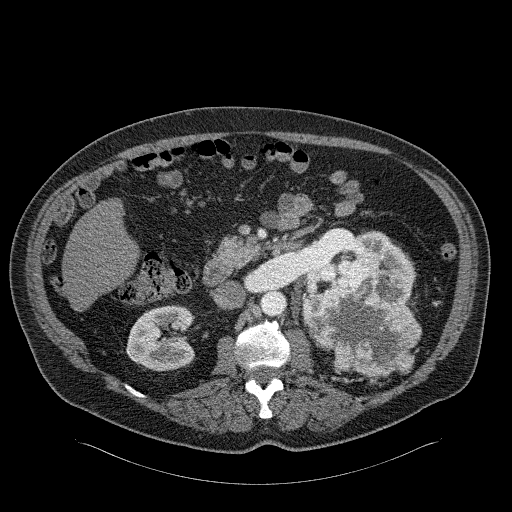
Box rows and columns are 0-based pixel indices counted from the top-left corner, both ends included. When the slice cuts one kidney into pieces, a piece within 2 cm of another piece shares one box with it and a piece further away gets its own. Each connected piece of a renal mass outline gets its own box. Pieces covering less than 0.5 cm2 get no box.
This is axial slice 126 of 326 (slice 1 is the lowest) of an arterial-phase abdominal CT with contrast; each pixel is 0.963 mm and the slice is 2.00 mm thick. Two kidney boxes and one renal mass box on this slice; by box centre, from the image's left to its right: (1) Right kidney, box rows 305–371, columns 126–195 (outlined area 3,563 px, about 33.0 cm2). (2) Box rows 230–303, columns 305–415: left kidney (outlined area 3,351 px, about 31.1 cm2). (3) Left renal mass at rows 256–378, columns 302–421 (outlined area 9,045 px, about 83.9 cm2).
Tube voltage 120 kVp; convolution kernel B31f.